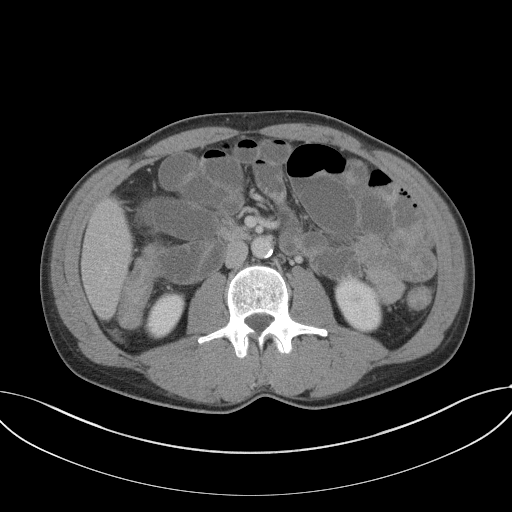
One axial slice (58 of 102, counting up from the lowest) of a contrast-enhanced abdominal CT acquired with 120 kVp, kernel B41f; each pixel is 0.807 mm and the slice is 5.00 mm thick.
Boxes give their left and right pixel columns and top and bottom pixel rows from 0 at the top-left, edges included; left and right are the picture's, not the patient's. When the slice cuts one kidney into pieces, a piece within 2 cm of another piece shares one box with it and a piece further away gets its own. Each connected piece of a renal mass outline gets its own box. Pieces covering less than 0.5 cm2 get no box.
Two boxes on this slice (two kidney boxes), listed by box centre from the image's left to its right. (1) Box with left 143, top 290, right 185, bottom 339: right kidney (outlined area 1,406 px, about 9.1 cm2). (2) Left kidney in the box with left 334, top 277, right 382, bottom 332 (outlined area 1,990 px, about 12.9 cm2). No renal mass outline on this slice.